One axial slice (388 of 527, counting up from the lowest) of an arterial-phase abdominal CT acquired with 120 kVp, kernel I30f; each pixel is 0.859 mm and the slice is 1.00 mm thick.
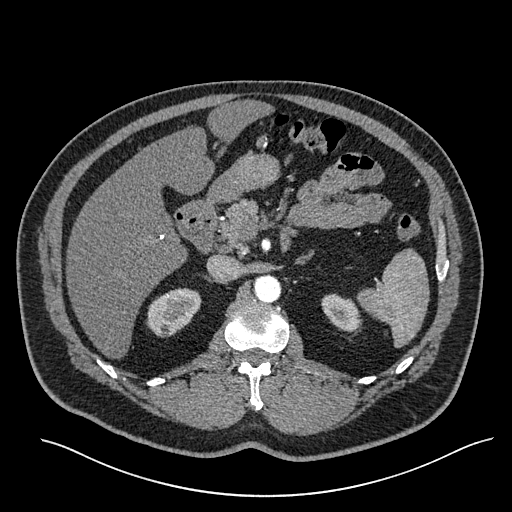
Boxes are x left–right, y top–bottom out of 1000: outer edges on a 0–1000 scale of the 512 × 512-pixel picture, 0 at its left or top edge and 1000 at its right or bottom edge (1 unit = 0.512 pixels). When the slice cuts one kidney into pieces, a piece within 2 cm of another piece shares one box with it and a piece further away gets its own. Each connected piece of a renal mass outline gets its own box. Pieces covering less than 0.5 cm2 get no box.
Boxed on this slice (two kidney boxes), listed by box centre from the image's left to its right: (1) Right kidney, box x 285–395, y 563–660 out of 1000 (outlined area 1,942 px, about 14.3 cm2). (2) Left kidney, box x 627–705, y 572–648 out of 1000 (outlined area 1,085 px, about 8.0 cm2). This slice carries no renal mass outline.